One axial slice (449 of 787, counting up from the lowest) of a contrast-enhanced abdominal CT acquired with 140 kVp, kernel I30f; each pixel is 0.910 mm and the slice is 1.00 mm thick.
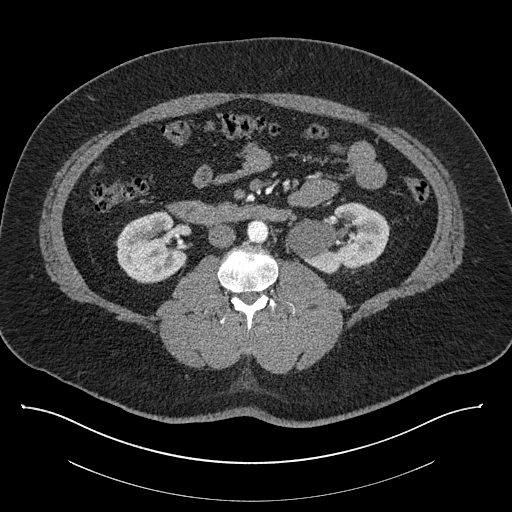
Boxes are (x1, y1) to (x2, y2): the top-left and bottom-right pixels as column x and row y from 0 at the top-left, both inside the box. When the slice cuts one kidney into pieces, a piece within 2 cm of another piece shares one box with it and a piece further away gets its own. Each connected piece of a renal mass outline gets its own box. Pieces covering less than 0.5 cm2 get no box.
Two boxes on this slice (two kidney boxes), listed by box centre from the image's left to its right. (1) Right kidney, box (115, 211) to (186, 281) (outlined area 3,805 px, about 31.5 cm2). (2) Left kidney from (286, 202) to (389, 272) (outlined area 5,023 px, about 41.6 cm2). No renal mass is outlined on this slice.